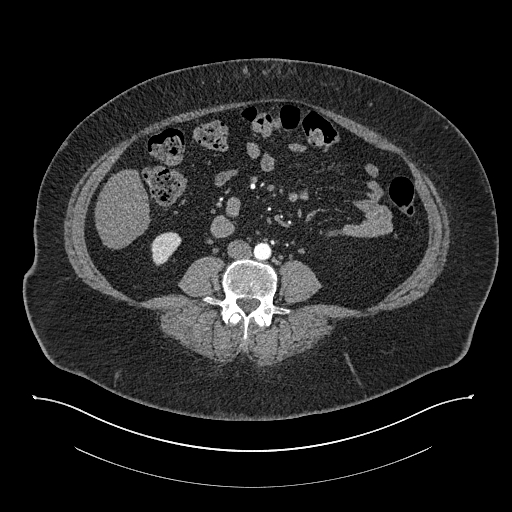
Axial slice 334 of 673 of a contrast-enhanced abdominal CT in the arterial phase (slice 1 is the lowest), 140 kVp, kernel I30f; 1.00 mm slice thickness and 0.957 mm pixels.
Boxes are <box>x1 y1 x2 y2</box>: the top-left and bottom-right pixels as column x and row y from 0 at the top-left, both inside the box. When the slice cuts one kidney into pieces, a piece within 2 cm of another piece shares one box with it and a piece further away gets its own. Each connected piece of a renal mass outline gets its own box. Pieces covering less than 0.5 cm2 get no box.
Right kidney at <box>151 231 181 265</box> (outlined area 720 px, about 6.6 cm2). No renal mass outline on this slice.